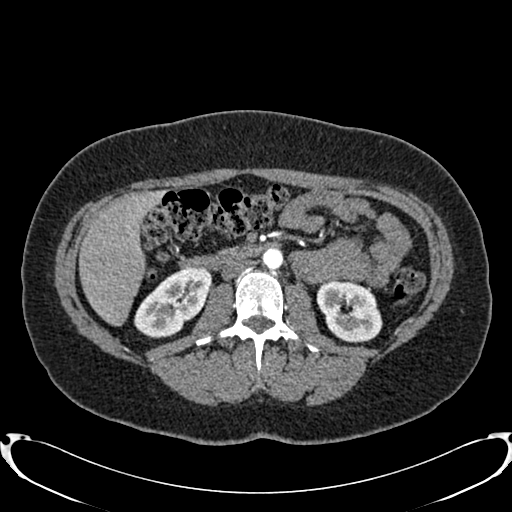
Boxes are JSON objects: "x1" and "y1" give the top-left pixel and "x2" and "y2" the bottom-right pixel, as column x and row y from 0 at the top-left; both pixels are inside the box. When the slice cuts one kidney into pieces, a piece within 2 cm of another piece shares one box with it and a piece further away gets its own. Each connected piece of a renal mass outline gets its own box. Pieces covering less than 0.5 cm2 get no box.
This is axial slice 427 of 719 (slice 1 is the lowest) of an arterial-phase abdominal CT with contrast; each pixel is 0.766 mm and the slice is 1.00 mm thick. Boxed on this slice (two kidney boxes), listed by box centre from the image's left to its right: (1) Right kidney at {"x1": 134, "y1": 266, "x2": 211, "y2": 338} (outlined area 3,597 px, about 21.1 cm2). (2) Left kidney, box {"x1": 316, "y1": 279, "x2": 382, "y2": 342} (outlined area 3,131 px, about 18.4 cm2). No renal mass is outlined on this slice.
Acquired at 120 kVp and reconstructed with the B20f kernel.